Axial slice 77 of 325 of a contrast-enhanced abdominal CT in the arterial phase (slice 1 is the lowest), 100 kVp, kernel I30f; 1.00 mm slice thickness and 0.703 mm pixels.
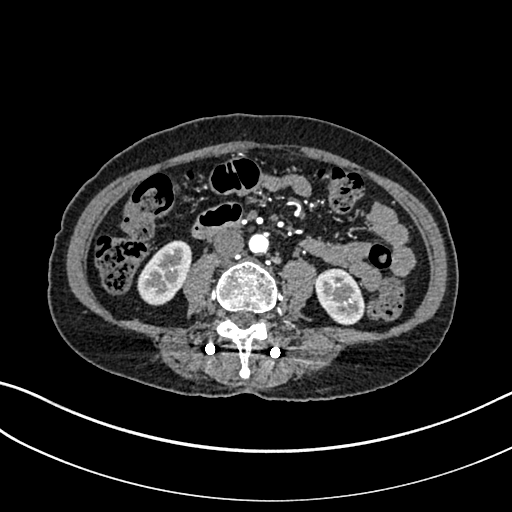
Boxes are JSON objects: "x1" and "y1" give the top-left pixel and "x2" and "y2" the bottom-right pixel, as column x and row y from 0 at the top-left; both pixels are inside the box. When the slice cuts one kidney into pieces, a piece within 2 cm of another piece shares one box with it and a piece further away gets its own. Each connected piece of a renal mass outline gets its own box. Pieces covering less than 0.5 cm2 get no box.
Two boxes on this slice (two kidney boxes), listed by box centre from the image's left to its right. (1) Box {"x1": 137, "y1": 240, "x2": 192, "y2": 305}: right kidney (outlined area 2,458 px, about 12.2 cm2). (2) Left kidney, box {"x1": 314, "y1": 268, "x2": 364, "y2": 325} (outlined area 2,153 px, about 10.6 cm2). No renal mass is outlined on this slice.